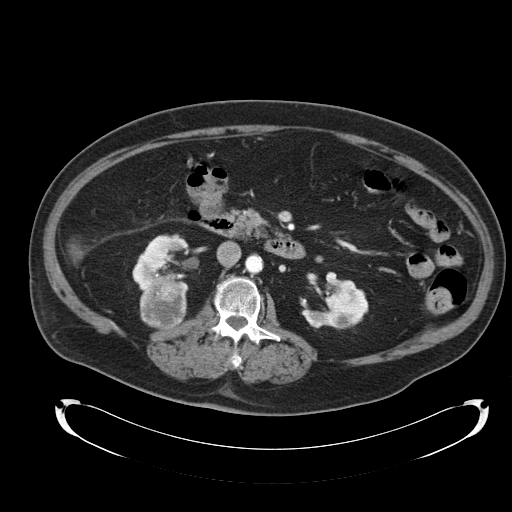
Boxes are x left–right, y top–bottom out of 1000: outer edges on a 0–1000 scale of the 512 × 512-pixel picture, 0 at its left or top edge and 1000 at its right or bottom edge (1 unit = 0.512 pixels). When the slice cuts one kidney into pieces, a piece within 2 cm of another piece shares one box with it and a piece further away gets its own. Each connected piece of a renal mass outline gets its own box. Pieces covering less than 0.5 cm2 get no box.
Contrast-enhanced abdominal CT, axial slice 60 of 92 (counted from the lowest slice); 5.00 mm thick, 0.918 mm per pixel. Two kidney boxes and one renal mass box on this slice; by box centre, from the image's left to its right: (1) Right kidney, box x 258–371, y 457–572 out of 1000 (outlined area 2,088 px, about 17.6 cm2). (2) Right renal mass, box x 271–371, y 539–637 out of 1000 (outlined area 1,933 px, about 16.3 cm2). (3) Left kidney, box x 588–721, y 529–645 out of 1000 (outlined area 2,435 px, about 20.5 cm2).
Scan settings: 120 kVp, B30f reconstruction kernel.